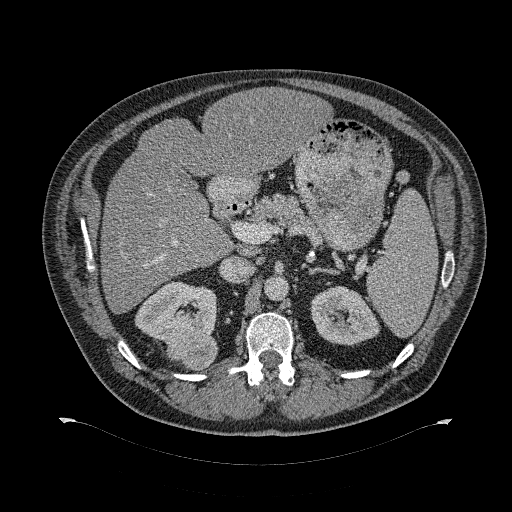
Axial slice 204 of 274 of a contrast-enhanced abdominal CT (slice 1 is the lowest), 120 kVp, kernel B31f; 2.00 mm slice thickness and 0.977 mm pixels.
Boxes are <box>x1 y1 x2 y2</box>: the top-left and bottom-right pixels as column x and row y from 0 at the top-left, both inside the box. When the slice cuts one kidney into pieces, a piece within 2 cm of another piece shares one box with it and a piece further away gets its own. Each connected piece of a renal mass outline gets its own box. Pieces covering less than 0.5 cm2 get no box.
Boxed on this slice (two kidney boxes and one renal mass box), listed by box centre from the image's left to its right: (1) Right kidney at <box>134 281 217 341</box> (outlined area 3,345 px, about 31.9 cm2). (2) Right renal mass at <box>163 325 217 370</box> (outlined area 1,791 px, about 17.1 cm2). (3) Left kidney at <box>309 285 380 346</box> (outlined area 3,080 px, about 29.4 cm2).